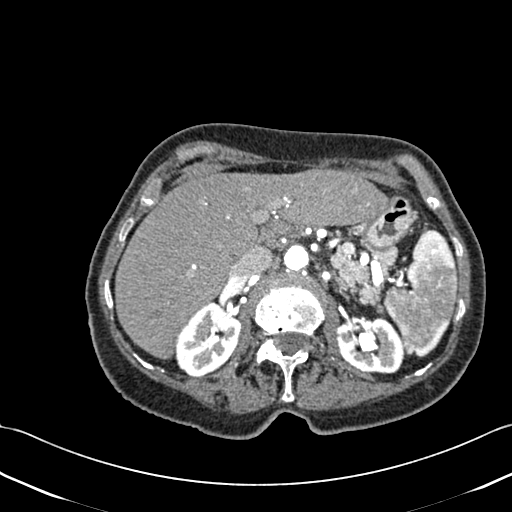
Abdominal CT with intravenous contrast, axial plane, 120 kVp, kernel B30f. Slice 300/433 from the bottom of the scan; thickness 1.00 mm; pixel size 0.672 mm.
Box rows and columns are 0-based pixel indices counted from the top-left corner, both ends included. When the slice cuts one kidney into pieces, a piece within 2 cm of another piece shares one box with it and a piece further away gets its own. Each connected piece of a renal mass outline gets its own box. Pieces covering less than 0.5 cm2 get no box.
Boxed on this slice (two kidney boxes), listed by box centre from the image's left to its right: (1) Right kidney, box rows 302–376, columns 175–240 (outlined area 3,449 px, about 15.6 cm2). (2) Box rows 316–373, columns 335–405: left kidney (outlined area 3,140 px, about 14.2 cm2). This slice carries no renal mass outline.